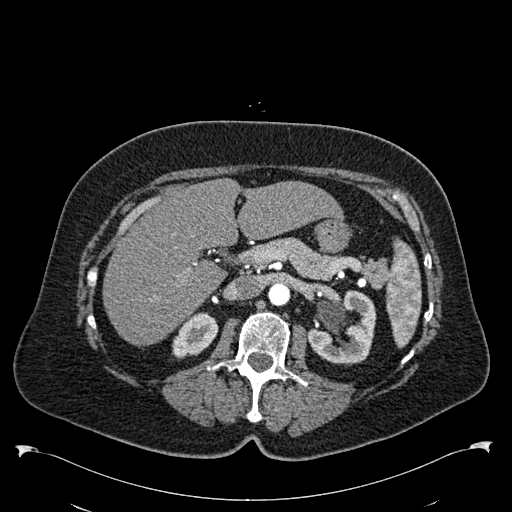
One axial slice (363 of 538, counting up from the lowest) of an arterial-phase abdominal CT acquired with 120 kVp, kernel B30f; each pixel is 0.811 mm and the slice is 1.00 mm thick.
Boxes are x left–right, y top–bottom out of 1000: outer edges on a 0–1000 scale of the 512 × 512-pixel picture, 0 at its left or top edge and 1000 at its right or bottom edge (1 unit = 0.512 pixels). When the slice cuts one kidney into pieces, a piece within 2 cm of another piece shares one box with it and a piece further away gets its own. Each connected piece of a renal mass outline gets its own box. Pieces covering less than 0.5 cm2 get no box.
Two boxes on this slice (two kidney boxes), listed by box centre from the image's left to its right. (1) Right kidney at x 336–428, y 609–701 out of 1000 (outlined area 1,471 px, about 9.7 cm2). (2) Left kidney, box x 600–736, y 566–711 out of 1000 (outlined area 3,565 px, about 23.4 cm2). No renal mass outline on this slice.